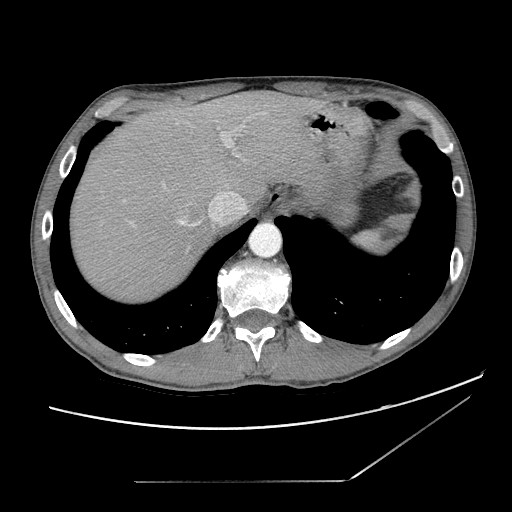
Axial slice 98 of 121 of a contrast-enhanced abdominal CT (slice 1 is the lowest), 120 kVp, kernel STANDARD; 2.50 mm slice thickness and 0.742 mm pixels.
Outside the outlined region: no kidney outline and no renal mass outline on this slice. The scan's outlines cover only kidneys and renal masses; no other organ is outlined.